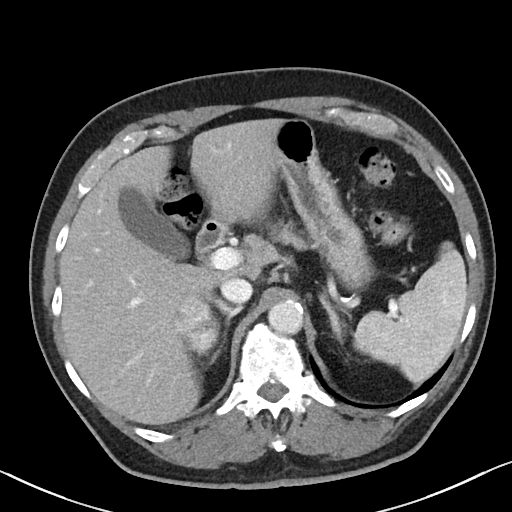
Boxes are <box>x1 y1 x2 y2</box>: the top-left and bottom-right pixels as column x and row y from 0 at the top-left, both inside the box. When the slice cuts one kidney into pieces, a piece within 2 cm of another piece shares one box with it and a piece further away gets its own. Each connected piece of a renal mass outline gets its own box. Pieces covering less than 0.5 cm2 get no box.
Contrast-enhanced abdominal CT, axial slice 70 of 90 (counted from the lowest slice); 5.00 mm thick, 0.684 mm per pixel. Right renal mass: <box>176 290 220 354</box> (outlined area 2,082 px, about 9.7 cm2); no kidney is outlined on this slice, but the same outlined renal mass comes within 1 cm of the kidney on another slice.
Tube voltage 100 kVp; convolution kernel I40f.